Contrast-enhanced abdominal CT, axial slice 70 of 103 (counted from the lowest slice); tube voltage 100 kVp, convolution kernel I41f; slices 4.00 mm thick, 0.742 mm per pixel.
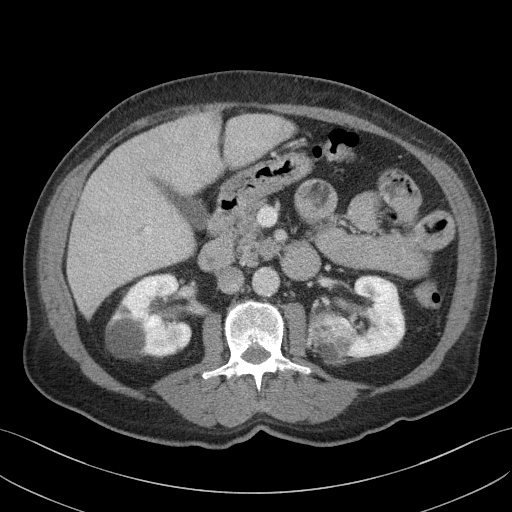
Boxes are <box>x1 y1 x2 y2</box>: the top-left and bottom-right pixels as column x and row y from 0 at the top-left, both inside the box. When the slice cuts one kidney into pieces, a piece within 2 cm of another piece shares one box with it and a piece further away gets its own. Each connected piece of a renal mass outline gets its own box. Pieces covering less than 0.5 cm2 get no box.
Two kidney boxes and one renal mass box on this slice; by box centre, from the image's left to its right: (1) Right kidney at <box>105 273 192 358</box> (outlined area 5,613 px, about 30.9 cm2). (2) Left renal mass at <box>311 307 357 365</box> (outlined area 1,972 px, about 10.9 cm2). (3) Left kidney: <box>322 275 405 357</box> (outlined area 4,113 px, about 22.7 cm2).